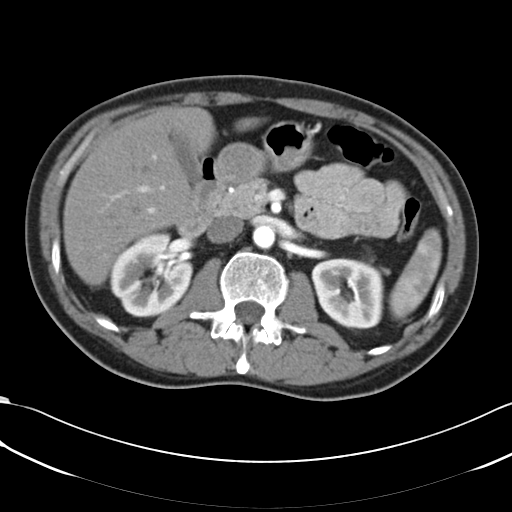
Abdominal CT with intravenous contrast, arterial phase, axial plane, 120 kVp, kernel B30f. Slice 40/66 from the bottom of the scan; thickness 5.00 mm; pixel size 0.678 mm.
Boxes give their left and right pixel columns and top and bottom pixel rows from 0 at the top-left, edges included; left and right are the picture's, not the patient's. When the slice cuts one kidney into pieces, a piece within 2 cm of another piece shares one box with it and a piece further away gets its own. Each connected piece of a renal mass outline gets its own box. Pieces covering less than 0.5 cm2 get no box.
Boxed on this slice (two kidney boxes), listed by box centre from the image's left to its right: (1) Right kidney, the box with left 110, top 232, right 193, bottom 317 (outlined area 5,212 px, about 23.9 cm2). (2) Left kidney in the box with left 311, top 258, right 383, bottom 328 (outlined area 4,199 px, about 19.3 cm2). No renal mass is outlined on this slice.